Abdominal CT with intravenous contrast, arterial phase, axial plane, 120 kVp, kernel B41f. Slice 24/103 from the bottom of the scan; thickness 5.00 mm; pixel size 0.951 mm.
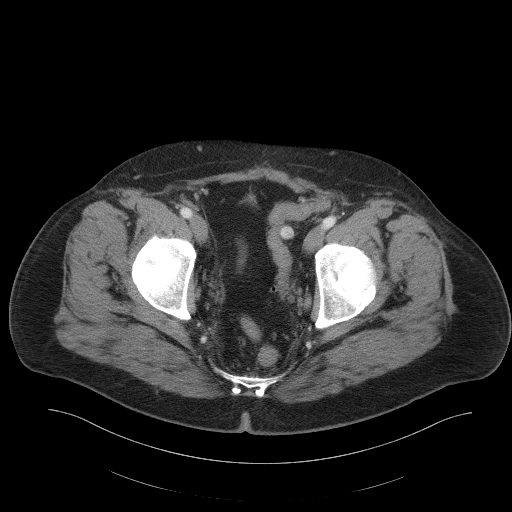
This slice carries no outline: it lies beyond the outlined kidneys and beyond every outlined renal mass. Other organs are not outlined in this scan.